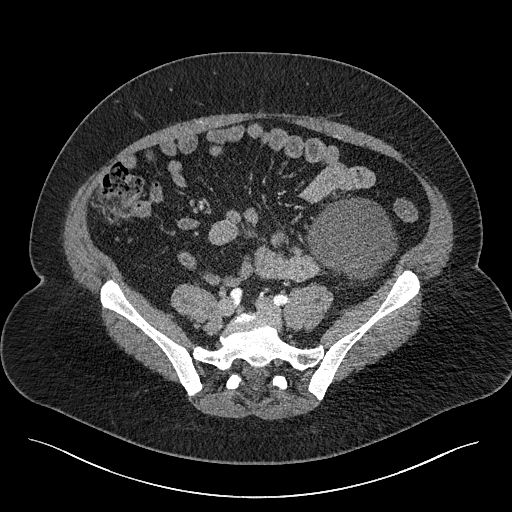
Axial slice 33 of 301 of a contrast-enhanced abdominal CT (slice 1 is the lowest), 120 kVp, kernel I40f; 2.00 mm slice thickness and 0.859 mm pixels.
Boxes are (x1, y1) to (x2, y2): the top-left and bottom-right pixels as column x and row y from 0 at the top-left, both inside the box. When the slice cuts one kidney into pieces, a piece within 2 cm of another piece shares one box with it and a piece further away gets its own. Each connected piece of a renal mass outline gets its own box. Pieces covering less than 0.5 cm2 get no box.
Box (306, 197) to (397, 280): left renal mass (outlined area 5,474 px, about 40.4 cm2); no kidney is outlined on this slice, but the same outlined renal mass comes within 1 cm of the kidney on another slice.